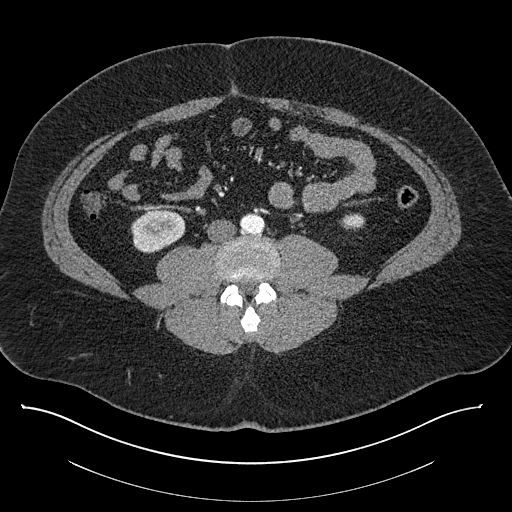
Abdominal CT with intravenous contrast, axial plane, 140 kVp, kernel I30f. Slice 346/787 from the bottom of the scan; thickness 1.00 mm; pixel size 0.910 mm.
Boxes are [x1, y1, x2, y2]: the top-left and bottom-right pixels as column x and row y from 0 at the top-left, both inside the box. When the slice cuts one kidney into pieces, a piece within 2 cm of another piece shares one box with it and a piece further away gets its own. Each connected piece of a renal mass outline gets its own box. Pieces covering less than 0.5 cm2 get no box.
Two boxes on this slice (two kidney boxes), listed by box centre from the image's left to its right. (1) Right kidney, box [130, 209, 185, 253] (outlined area 1,859 px, about 15.4 cm2). (2) Box [339, 213, 365, 230]: left kidney (outlined area 347 px, about 2.9 cm2). This slice carries no renal mass outline.